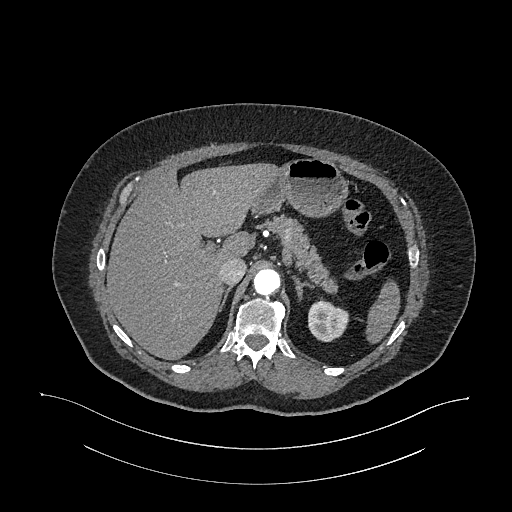
One axial slice (784 of 987, counting up from the lowest) of an arterial-phase abdominal CT acquired with 120 kVp, kernel I26f; each pixel is 0.977 mm and the slice is 1.00 mm thick.
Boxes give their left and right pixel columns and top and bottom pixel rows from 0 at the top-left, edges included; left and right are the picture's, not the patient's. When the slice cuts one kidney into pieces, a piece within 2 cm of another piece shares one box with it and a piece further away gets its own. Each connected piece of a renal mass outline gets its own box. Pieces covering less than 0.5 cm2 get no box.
Box with left 308, top 300, right 349, bottom 341: left kidney (outlined area 1,322 px, about 12.6 cm2). No renal mass outline on this slice.